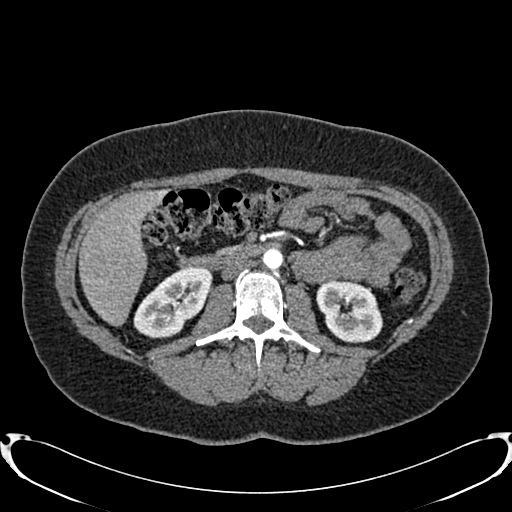
One axial slice (429 of 719, counting up from the lowest) of an arterial-phase abdominal CT acquired with 120 kVp, kernel B20f; each pixel is 0.766 mm and the slice is 1.00 mm thick.
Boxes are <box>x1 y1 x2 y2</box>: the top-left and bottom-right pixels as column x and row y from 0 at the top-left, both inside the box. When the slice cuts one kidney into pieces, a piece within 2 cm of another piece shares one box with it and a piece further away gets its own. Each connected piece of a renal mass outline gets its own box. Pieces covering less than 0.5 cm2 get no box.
Two kidney boxes on this slice; by box centre, from the image's left to its right: (1) Right kidney: <box>133 266 212 338</box> (outlined area 3,678 px, about 21.6 cm2). (2) Left kidney: <box>316 278 382 342</box> (outlined area 3,201 px, about 18.8 cm2). This slice carries no renal mass outline.